Abdominal CT with intravenous contrast, arterial phase, axial plane, 120 kVp, kernel I30f. Slice 329/626 from the bottom of the scan; thickness 1.00 mm; pixel size 0.703 mm.
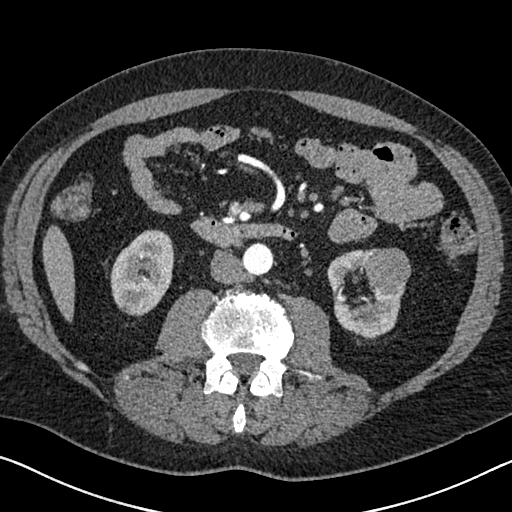
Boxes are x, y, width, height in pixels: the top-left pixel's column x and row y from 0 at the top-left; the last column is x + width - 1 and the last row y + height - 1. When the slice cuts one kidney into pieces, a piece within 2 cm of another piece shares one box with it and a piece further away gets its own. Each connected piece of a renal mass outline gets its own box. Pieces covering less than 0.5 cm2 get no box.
Boxed on this slice (two kidney boxes and one renal mass box), listed by box centre from the image's left to its right: (1) Right kidney, box x 110, y 229, width 65, height 88 (outlined area 4,155 px, about 20.5 cm2). (2) Left kidney, box x 326, y 248, width 80, height 92 (outlined area 3,675 px, about 18.2 cm2). (3) Left renal mass at x 363, y 248, width 49, height 45 (outlined area 1,720 px, about 8.5 cm2).